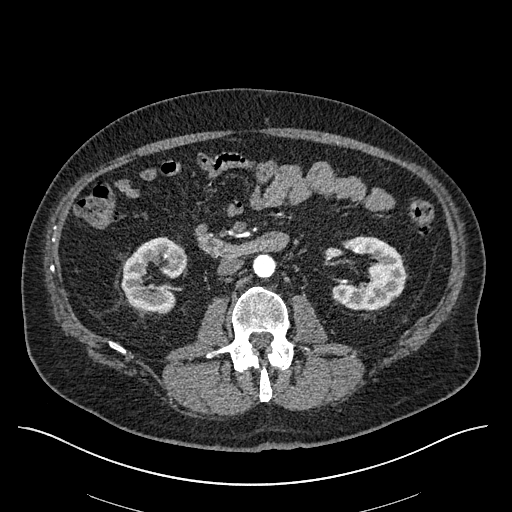
Arterial-phase contrast-enhanced abdominal CT, axial slice 298 of 670 (counted from the lowest slice); tube voltage 120 kVp, convolution kernel I30f; slices 1.00 mm thick, 0.861 mm per pixel.
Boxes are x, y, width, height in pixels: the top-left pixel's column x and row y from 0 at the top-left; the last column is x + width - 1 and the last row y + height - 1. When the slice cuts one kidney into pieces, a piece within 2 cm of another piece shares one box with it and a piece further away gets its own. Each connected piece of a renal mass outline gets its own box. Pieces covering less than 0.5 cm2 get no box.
Three boxes on this slice (two kidney boxes and one renal mass box), listed by box centre from the image's left to its right. (1) Right kidney at x 121, y 237, width 67, height 76 (outlined area 3,096 px, about 23.0 cm2). (2) Right renal mass at x 164, y 247, width 23, height 20 (outlined area 368 px, about 2.7 cm2). (3) Box x 331, y 235, width 74, height 76: left kidney (outlined area 3,620 px, about 26.9 cm2).